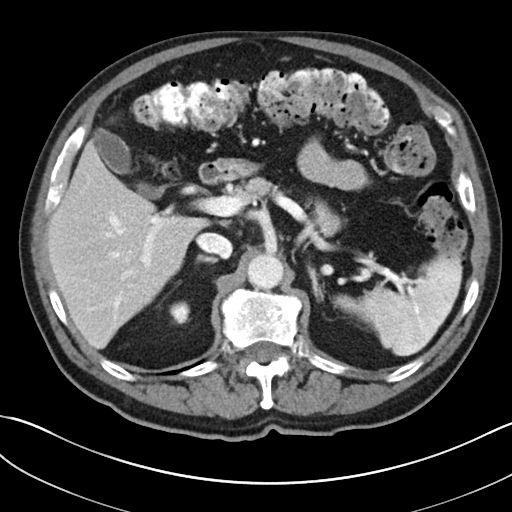
Abdominal CT with intravenous contrast, axial plane, 100 kVp, kernel I30f. Slice 147/269 from the bottom of the scan; thickness 5.00 mm; pixel size 0.732 mm.
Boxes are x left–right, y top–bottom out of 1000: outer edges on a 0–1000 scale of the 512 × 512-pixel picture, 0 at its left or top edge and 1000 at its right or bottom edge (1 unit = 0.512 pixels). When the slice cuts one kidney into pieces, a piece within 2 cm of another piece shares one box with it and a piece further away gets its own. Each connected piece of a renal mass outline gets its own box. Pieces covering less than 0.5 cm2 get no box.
Right kidney, box x 330–373, y 588–635 out of 1000 (outlined area 390 px, about 2.1 cm2). No renal mass outline on this slice.